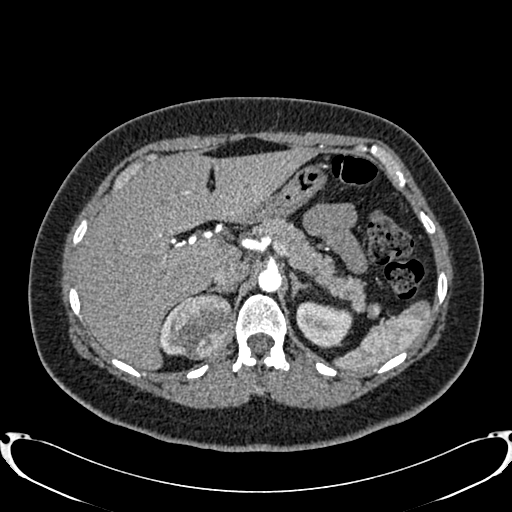
Abdominal CT with intravenous contrast, arterial phase, axial plane, 120 kVp, kernel B20f. Slice 580/719 from the bottom of the scan; thickness 1.00 mm; pixel size 0.766 mm.
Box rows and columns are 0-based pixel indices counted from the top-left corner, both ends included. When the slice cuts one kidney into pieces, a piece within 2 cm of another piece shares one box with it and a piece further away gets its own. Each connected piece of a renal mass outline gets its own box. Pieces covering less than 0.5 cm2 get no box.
Boxed on this slice (two kidney boxes and one renal mass box), listed by box centre from the image's left to its right: (1) Right kidney at rows 296–355, columns 158–193 (outlined area 653 px, about 3.8 cm2). (2) Right renal mass, box rows 294–359, columns 173–232 (outlined area 3,087 px, about 18.1 cm2). (3) Left kidney, box rows 301–346, columns 296–352 (outlined area 1,956 px, about 11.5 cm2).